Abdominal CT with intravenous contrast, axial plane, 120 kVp, kernel B41f. Slice 24/104 from the bottom of the scan; thickness 5.00 mm; pixel size 0.977 mm.
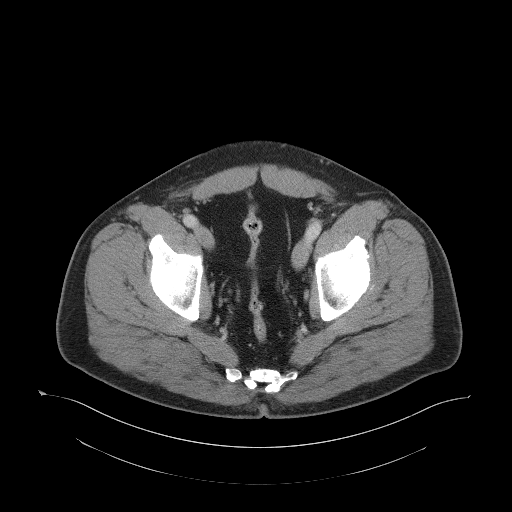
Outside the outlined region: no kidney outline and no renal mass outline on this slice. The scan's outlines cover only kidneys and renal masses; no other organ is outlined.